One axial slice (108 of 285, counting up from the lowest) of an arterial-phase abdominal CT acquired with 120 kVp, kernel B31f; each pixel is 0.762 mm and the slice is 2.00 mm thick.
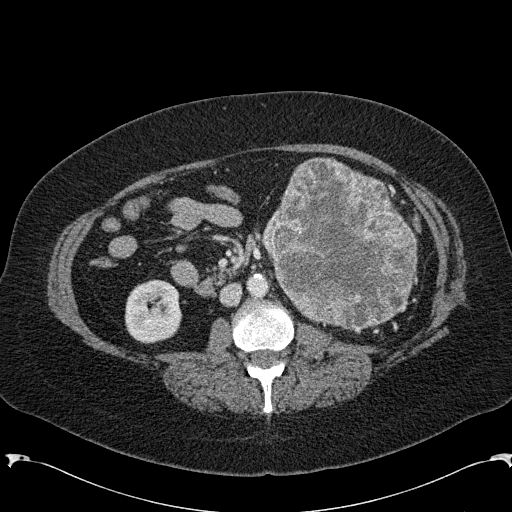
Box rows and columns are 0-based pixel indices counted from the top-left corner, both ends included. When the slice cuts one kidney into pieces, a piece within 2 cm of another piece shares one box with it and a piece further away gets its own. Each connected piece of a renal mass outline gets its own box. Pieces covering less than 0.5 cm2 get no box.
One kidney box and one renal mass box on this slice; by box centre, from the image's left to its right: (1) Right kidney at rows 279–343, columns 124–182 (outlined area 2,982 px, about 17.3 cm2). (2) Left renal mass at rows 157–330, columns 261–417 (outlined area 19,726 px, about 114.5 cm2); it sits over 1 cm from every kidney outline on this slice, but the same outlined renal mass comes within 1 cm of the kidney on another slice.